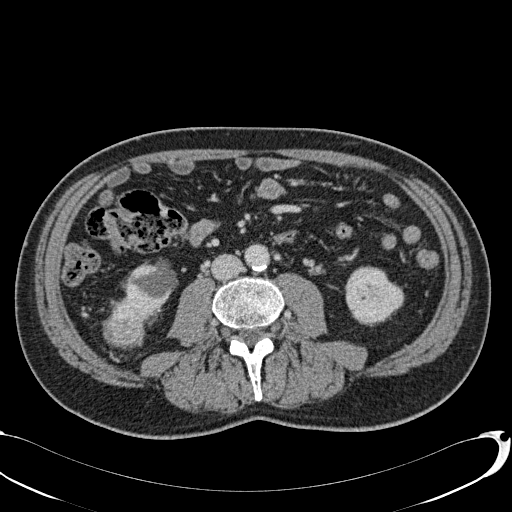
One axial slice (18 of 113, counting up from the lowest) of a contrast-enhanced abdominal CT acquired with 120 kVp, kernel B31f; each pixel is 0.742 mm and the slice is 2.00 mm thick.
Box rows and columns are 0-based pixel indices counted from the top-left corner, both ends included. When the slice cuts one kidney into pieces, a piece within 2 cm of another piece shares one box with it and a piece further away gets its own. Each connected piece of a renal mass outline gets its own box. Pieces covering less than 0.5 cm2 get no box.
Three boxes on this slice (two kidney boxes and one renal mass box), listed by box centre from the image's left to its right. (1) Right renal mass at rows 294–349, columns 102–149 (outlined area 1,762 px, about 9.7 cm2). (2) Box rows 261–314, columns 121–178: right kidney (outlined area 1,956 px, about 10.8 cm2). (3) Left kidney at rows 265–325, columns 345–404 (outlined area 2,652 px, about 14.6 cm2).